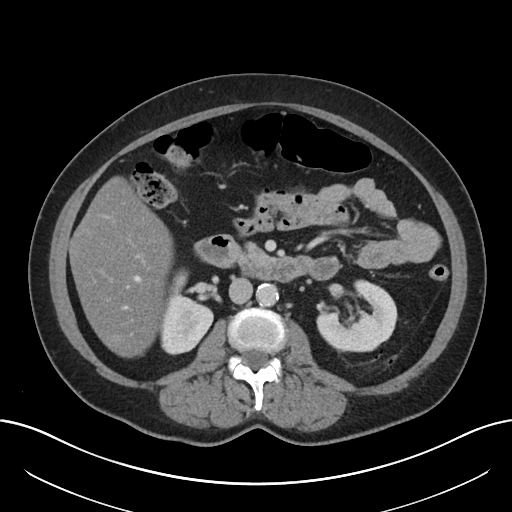
Contrast-enhanced abdominal CT, axial slice 114 of 197 (counted from the lowest slice); tube voltage 120 kVp, convolution kernel I30f; slices 5.00 mm thick, 0.791 mm per pixel.
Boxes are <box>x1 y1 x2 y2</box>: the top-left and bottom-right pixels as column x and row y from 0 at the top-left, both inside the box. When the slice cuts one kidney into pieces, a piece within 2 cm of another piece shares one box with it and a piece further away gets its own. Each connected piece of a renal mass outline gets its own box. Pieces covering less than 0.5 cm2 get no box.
Two kidney boxes on this slice; by box centre, from the image's left to its right: (1) Right kidney at <box>160 268 213 355</box> (outlined area 3,055 px, about 19.1 cm2). (2) Left kidney at <box>316 279 397 353</box> (outlined area 4,002 px, about 25.0 cm2). No renal mass is outlined on this slice.